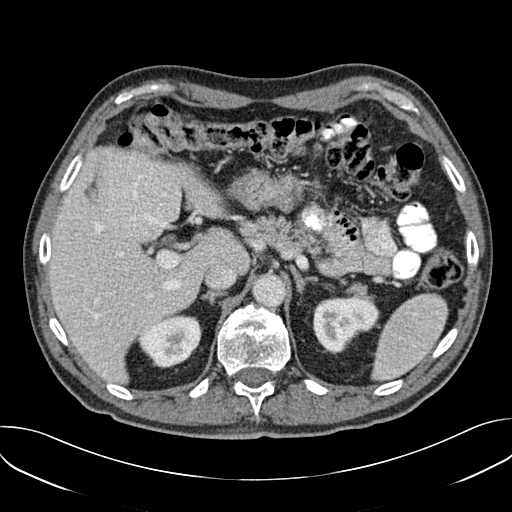
Arterial-phase contrast-enhanced abdominal CT, axial slice 119 of 157 (counted from the lowest slice); tube voltage 120 kVp, convolution kernel B30f; slices 3.00 mm thick, 0.742 mm per pixel.
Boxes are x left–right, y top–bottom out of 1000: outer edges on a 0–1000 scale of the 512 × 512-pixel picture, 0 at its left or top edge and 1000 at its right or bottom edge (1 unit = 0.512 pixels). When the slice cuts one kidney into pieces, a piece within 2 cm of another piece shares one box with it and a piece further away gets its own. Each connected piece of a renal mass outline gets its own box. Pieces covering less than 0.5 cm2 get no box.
Two boxes on this slice (two kidney boxes), listed by box centre from the image's left to its right. (1) Right kidney at x 268–395, y 613–721 out of 1000 (outlined area 2,465 px, about 13.6 cm2). (2) Left kidney, box x 611–740, y 580–689 out of 1000 (outlined area 2,663 px, about 14.7 cm2). No renal mass is outlined on this slice.